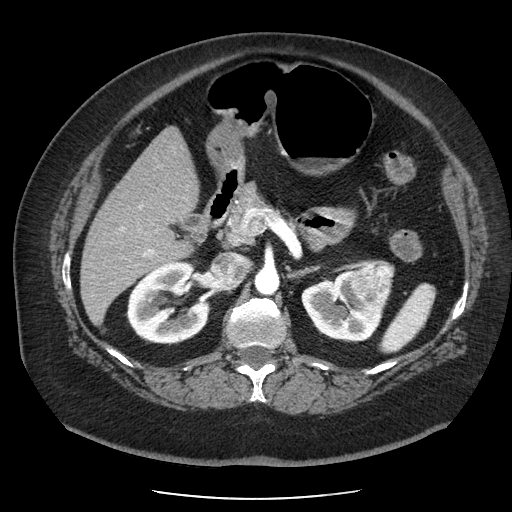
Abdominal CT with intravenous contrast, arterial phase, axial plane, 120 kVp, kernel STANDARD. Slice 132/186 from the bottom of the scan; thickness 2.50 mm; pixel size 0.742 mm.
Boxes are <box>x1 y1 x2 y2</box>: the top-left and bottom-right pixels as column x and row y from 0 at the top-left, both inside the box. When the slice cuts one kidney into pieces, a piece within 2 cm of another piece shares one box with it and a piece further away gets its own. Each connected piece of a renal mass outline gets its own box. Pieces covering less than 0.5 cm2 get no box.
Three boxes on this slice (two kidney boxes and one renal mass box), listed by box centre from the image's left to its right. (1) At <box>125 260 209 345</box>: right kidney (outlined area 5,094 px, about 28.1 cm2). (2) At <box>301 268 387 342</box>: left kidney (outlined area 3,610 px, about 19.9 cm2). (3) Left renal mass at <box>349 260 394 309</box> (outlined area 1,736 px, about 9.6 cm2).